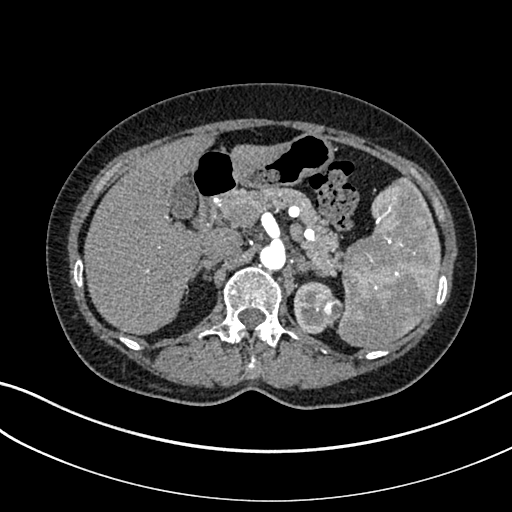
One axial slice (236 of 325, counting up from the lowest) of an arterial-phase abdominal CT acquired with 100 kVp, kernel I30f; each pixel is 0.703 mm and the slice is 1.00 mm thick.
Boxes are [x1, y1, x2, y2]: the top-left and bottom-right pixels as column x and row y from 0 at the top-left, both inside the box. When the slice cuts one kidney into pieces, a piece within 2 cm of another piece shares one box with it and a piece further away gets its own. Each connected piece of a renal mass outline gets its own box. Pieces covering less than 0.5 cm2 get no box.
One kidney box and one renal mass box on this slice; by box centre, from the image's left to its right: (1) Box [294, 281, 332, 334]: left kidney (outlined area 1,465 px, about 7.2 cm2). (2) Left renal mass, box [320, 295, 343, 324] (outlined area 511 px, about 2.5 cm2).